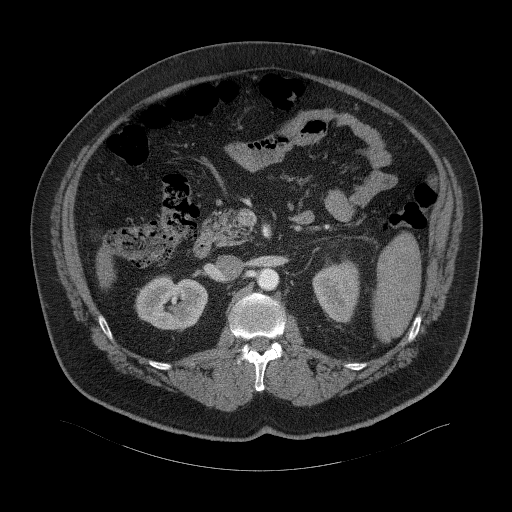
One axial slice (36 of 94, counting up from the lowest) of a contrast-enhanced abdominal CT acquired with 120 kVp, kernel B41f; each pixel is 0.977 mm and the slice is 3.00 mm thick.
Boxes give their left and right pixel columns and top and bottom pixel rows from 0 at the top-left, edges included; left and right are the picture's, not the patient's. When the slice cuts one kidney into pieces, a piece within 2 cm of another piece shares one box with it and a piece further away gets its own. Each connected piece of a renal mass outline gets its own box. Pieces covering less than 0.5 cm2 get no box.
Two boxes on this slice (two kidney boxes), listed by box centre from the image's left to its right. (1) Right kidney, the box with left 134, top 276, right 207, bottom 331 (outlined area 3,107 px, about 29.6 cm2). (2) Box with left 312, top 260, right 359, bottom 322: left kidney (outlined area 2,223 px, about 21.2 cm2). No renal mass outline on this slice.